Arterial-phase contrast-enhanced abdominal CT, axial slice 37 of 195 (counted from the lowest slice); tube voltage 100 kVp, convolution kernel I31f; slices 1.50 mm thick, 0.707 mm per pixel.
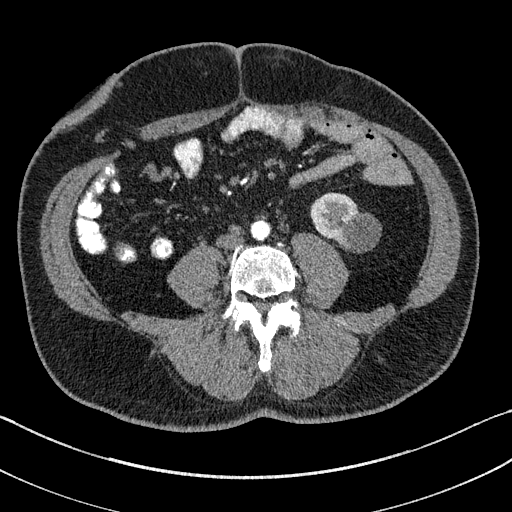
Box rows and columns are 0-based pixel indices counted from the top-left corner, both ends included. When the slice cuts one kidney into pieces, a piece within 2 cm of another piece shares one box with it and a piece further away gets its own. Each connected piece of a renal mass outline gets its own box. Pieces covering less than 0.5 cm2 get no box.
Left kidney, box rows 192–250, columns 310–379 (outlined area 2,725 px, about 13.6 cm2). No renal mass outline on this slice.